One axial slice (353 of 532, counting up from the lowest) of an arterial-phase abdominal CT acquired with 120 kVp, kernel B30f; each pixel is 0.713 mm and the slice is 1.00 mm thick.
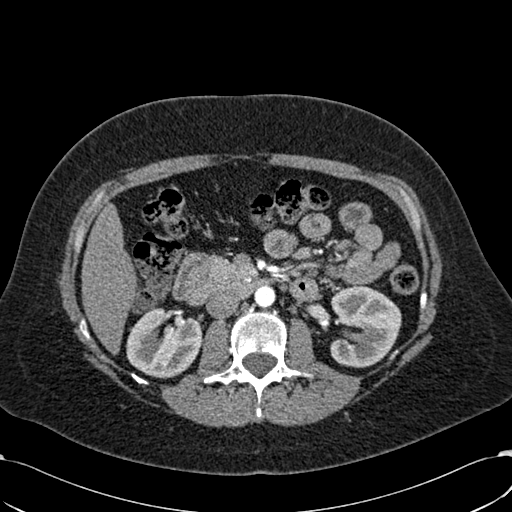
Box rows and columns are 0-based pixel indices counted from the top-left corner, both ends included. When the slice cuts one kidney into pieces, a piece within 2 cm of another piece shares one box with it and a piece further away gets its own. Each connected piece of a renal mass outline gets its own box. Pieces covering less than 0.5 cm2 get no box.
Two boxes on this slice (two kidney boxes), listed by box centre from the image's left to its right. (1) Right kidney at rows 307–378, columns 126–202 (outlined area 4,056 px, about 20.6 cm2). (2) Left kidney at rows 284–367, columns 330–401 (outlined area 4,541 px, about 23.1 cm2). This slice carries no renal mass outline.